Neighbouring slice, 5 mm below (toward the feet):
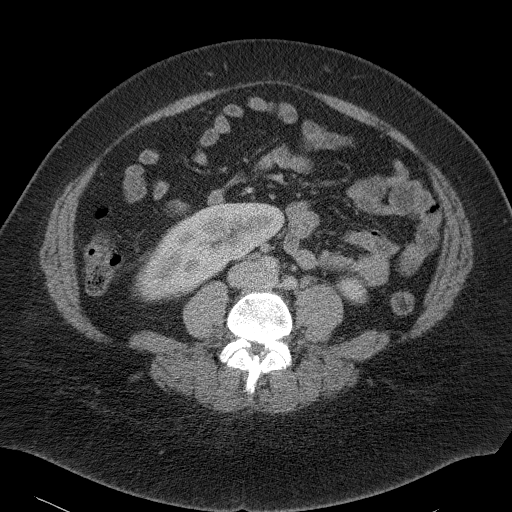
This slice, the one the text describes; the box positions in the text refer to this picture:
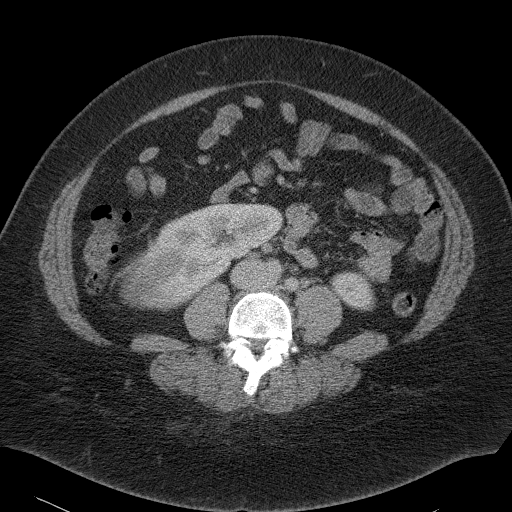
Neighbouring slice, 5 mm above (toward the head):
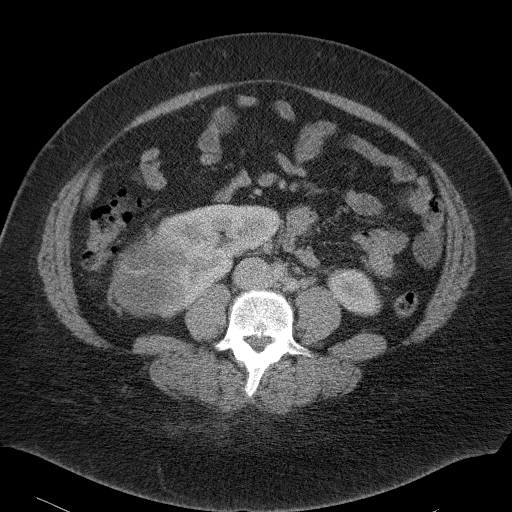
Abdominal CT with intravenous contrast, axial plane, 120 kVp, kernel B41f. Slice 48/90 from the bottom of the scan; thickness 5.00 mm; pixel size 0.781 mm.
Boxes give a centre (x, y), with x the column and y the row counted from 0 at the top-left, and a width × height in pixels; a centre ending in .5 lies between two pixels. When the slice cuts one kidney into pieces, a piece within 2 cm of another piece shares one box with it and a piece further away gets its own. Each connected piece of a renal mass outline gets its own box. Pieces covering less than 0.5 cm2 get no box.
Two kidney boxes and one renal mass box on this slice; by box centre, from the image's left to its right: (1) Box centre (156.5, 277), 76 × 65 pixels: right renal mass (outlined area 3,694 px, about 22.5 cm2). (2) Right kidney, box centre (217, 247.5), 133 × 90 pixels (outlined area 6,283 px, about 38.3 cm2). (3) Box centre (351.5, 291), 50 × 41 pixels: left kidney (outlined area 1,317 px, about 8.0 cm2). This slice lies near the end of the right renal mass toward the feet; the slices 5 mm below and 5 mm above it are shown too, and the boxes mark positions on this slice only.